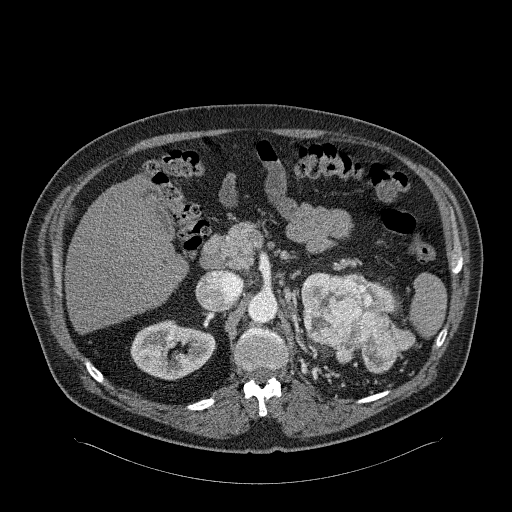
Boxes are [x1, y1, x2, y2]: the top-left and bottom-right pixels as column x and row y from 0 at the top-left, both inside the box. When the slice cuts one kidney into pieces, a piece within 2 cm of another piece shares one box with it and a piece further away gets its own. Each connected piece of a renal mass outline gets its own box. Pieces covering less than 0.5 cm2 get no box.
Arterial-phase contrast-enhanced abdominal CT, axial slice 165 of 326 (counted from the lowest slice); 2.00 mm thick, 0.963 mm per pixel. Three boxes on this slice (two kidney boxes and one renal mass box), listed by box centre from the image's left to its right. (1) Right kidney, box [130, 320, 216, 380] (outlined area 3,643 px, about 33.8 cm2). (2) Box [301, 272, 397, 313]: left kidney (outlined area 1,228 px, about 11.4 cm2). (3) Left renal mass, box [302, 275, 415, 373] (outlined area 6,508 px, about 60.3 cm2).
Acquired at 120 kVp and reconstructed with the B31f kernel.